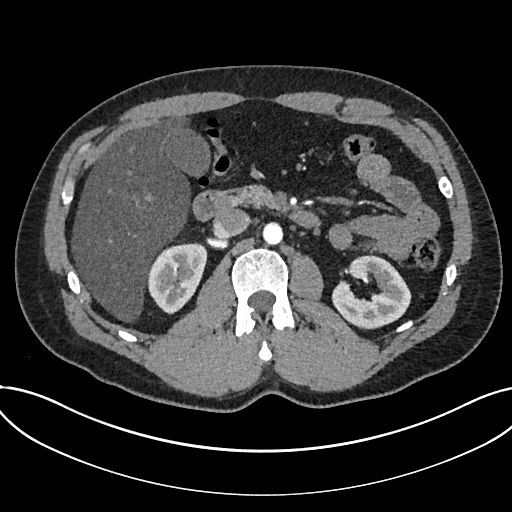
One axial slice (433 of 735, counting up from the lowest) of an arterial-phase abdominal CT acquired with 120 kVp, kernel I30f; each pixel is 0.789 mm and the slice is 1.00 mm thick.
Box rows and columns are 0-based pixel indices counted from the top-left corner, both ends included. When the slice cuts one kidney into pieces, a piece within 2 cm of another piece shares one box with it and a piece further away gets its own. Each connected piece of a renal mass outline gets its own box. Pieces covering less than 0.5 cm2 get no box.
Two kidney boxes on this slice; by box centre, from the image's left to its right: (1) Kidney at rows 242–314, columns 146–207 (outlined area 3,112 px, about 19.4 cm2). (2) Kidney at rows 253–328, columns 331–411 (outlined area 3,913 px, about 24.4 cm2). No renal mass is outlined on this slice.